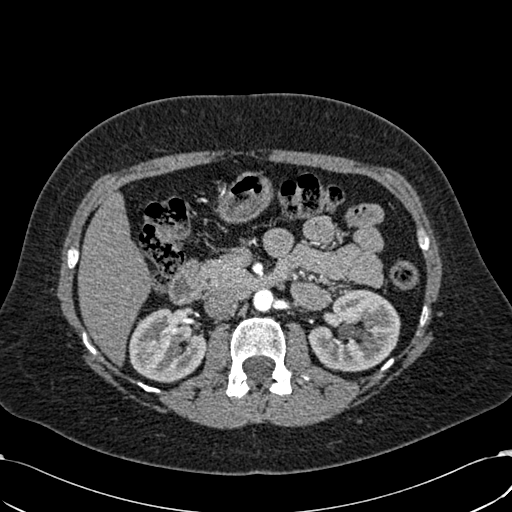
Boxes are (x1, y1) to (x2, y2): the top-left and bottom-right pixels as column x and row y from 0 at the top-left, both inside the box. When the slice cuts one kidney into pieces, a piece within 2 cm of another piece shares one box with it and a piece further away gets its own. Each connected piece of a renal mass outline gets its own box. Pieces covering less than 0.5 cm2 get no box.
Slice 371/532 of a contrast-enhanced abdominal CT in the arterial phase, counting up from the lowest; pixel size 0.713 mm, slice thickness 1.00 mm. Boxed on this slice (two kidney boxes), listed by box centre from the image's left to its right: (1) Right kidney, box (129, 308) to (206, 382) (outlined area 4,277 px, about 21.7 cm2). (2) Box (307, 289) to (400, 371): left kidney (outlined area 5,513 px, about 28.0 cm2). No renal mass is outlined on this slice.
Tube voltage 120 kVp; convolution kernel B30f.